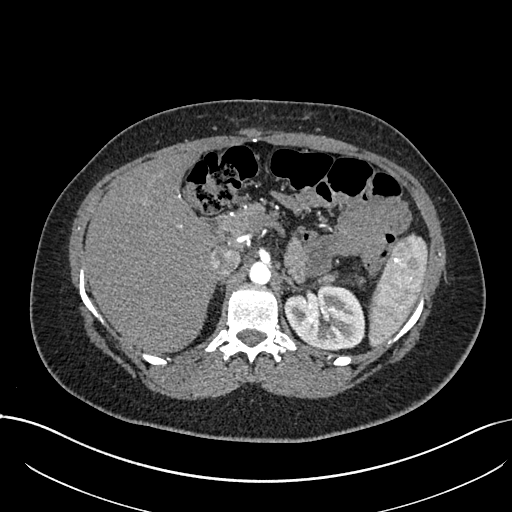
Arterial-phase contrast-enhanced abdominal CT, axial slice 507 of 738 (counted from the lowest slice); tube voltage 120 kVp, convolution kernel I30f; slices 1.00 mm thick, 0.789 mm per pixel.
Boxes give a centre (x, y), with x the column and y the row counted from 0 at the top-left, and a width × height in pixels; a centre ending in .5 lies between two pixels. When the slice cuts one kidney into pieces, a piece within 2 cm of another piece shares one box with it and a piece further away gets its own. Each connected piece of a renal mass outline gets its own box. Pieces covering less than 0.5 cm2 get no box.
Left kidney in a box with centre (324, 316.5), 83 × 68 pixels (outlined area 4,210 px, about 26.2 cm2). No renal mass is outlined on this slice.